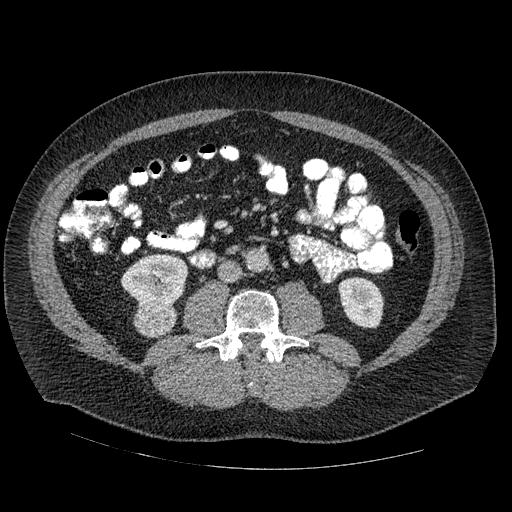
Arterial-phase contrast-enhanced abdominal CT, axial slice 244 of 445 (counted from the lowest slice); tube voltage 120 kVp, convolution kernel STANDARD; slices 1.25 mm thick, 0.863 mm per pixel.
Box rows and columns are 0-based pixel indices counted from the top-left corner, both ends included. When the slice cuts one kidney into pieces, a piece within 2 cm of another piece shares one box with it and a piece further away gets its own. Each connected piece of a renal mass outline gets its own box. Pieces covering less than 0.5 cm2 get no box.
Three boxes on this slice (two kidney boxes and one renal mass box), listed by box centre from the image's left to its right. (1) Right kidney, box rows 254–308, columns 120–188 (outlined area 2,681 px, about 20.0 cm2). (2) Right renal mass at rows 301–338, columns 133–178 (outlined area 1,315 px, about 9.8 cm2). (3) Left kidney, box rows 277–328, columns 338–384 (outlined area 1,844 px, about 13.7 cm2).